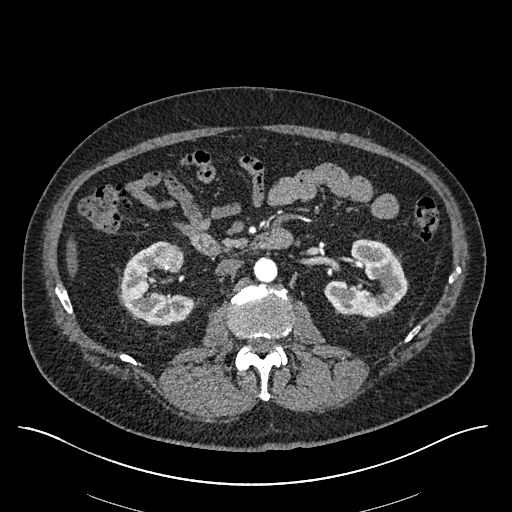
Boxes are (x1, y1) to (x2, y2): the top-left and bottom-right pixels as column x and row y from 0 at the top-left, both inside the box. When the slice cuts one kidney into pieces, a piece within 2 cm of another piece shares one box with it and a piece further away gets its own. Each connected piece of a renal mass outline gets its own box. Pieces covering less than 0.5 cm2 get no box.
Arterial-phase contrast-enhanced abdominal CT, axial slice 320 of 670 (counted from the lowest slice); 1.00 mm thick, 0.861 mm per pixel. Boxed on this slice (two kidney boxes and one renal mass box), listed by box centre from the image's left to its right: (1) Right kidney from (120, 241) to (194, 325) (outlined area 3,538 px, about 26.2 cm2). (2) Right renal mass, box (155, 244) to (184, 271) (outlined area 637 px, about 4.7 cm2). (3) Box (323, 239) to (406, 316): left kidney (outlined area 4,059 px, about 30.1 cm2).
Acquired at 120 kVp and reconstructed with the I30f kernel.